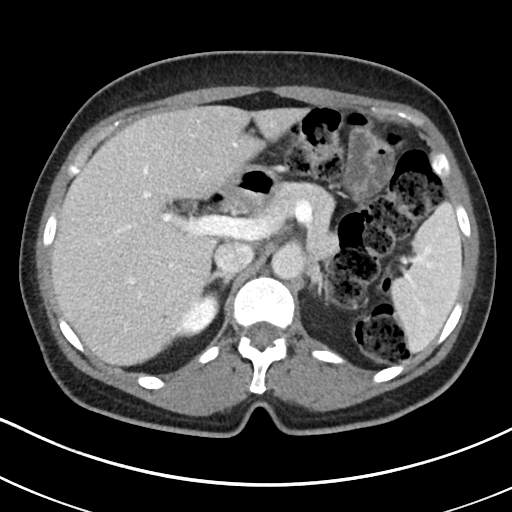
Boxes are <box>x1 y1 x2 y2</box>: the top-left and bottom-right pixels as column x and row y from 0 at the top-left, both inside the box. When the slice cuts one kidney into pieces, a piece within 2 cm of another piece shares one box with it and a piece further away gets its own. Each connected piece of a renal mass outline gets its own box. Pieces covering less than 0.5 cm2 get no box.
Contrast-enhanced abdominal CT, axial slice 135 of 178 (counted from the lowest slice); 5.00 mm thick, 0.650 mm per pixel. Right kidney: <box>173 291 219 337</box> (outlined area 1,335 px, about 5.6 cm2). No renal mass is outlined on this slice.
Scan settings: 100 kVp, I30f reconstruction kernel.